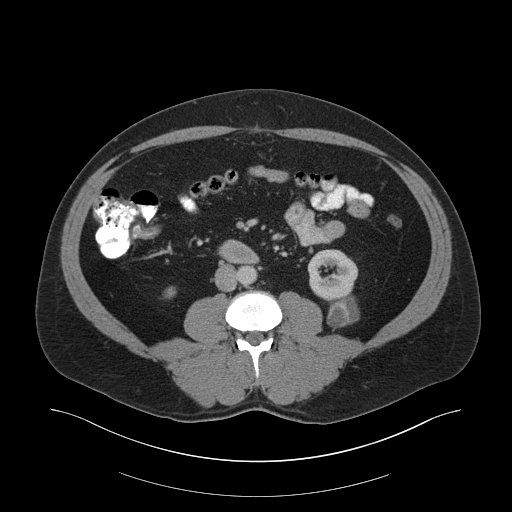
Axial slice 90 of 159 of a contrast-enhanced abdominal CT in the arterial phase (slice 1 is the lowest), 140 kVp, kernel B30f; 3.00 mm slice thickness and 0.977 mm pixels.
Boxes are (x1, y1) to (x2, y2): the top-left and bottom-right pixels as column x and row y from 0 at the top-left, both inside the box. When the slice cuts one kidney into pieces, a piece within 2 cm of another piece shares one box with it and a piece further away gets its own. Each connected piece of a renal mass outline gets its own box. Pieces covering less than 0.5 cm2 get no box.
Boxed on this slice (two kidney boxes and one renal mass box), listed by box centre from the image's left to its right: (1) Right kidney, box (164, 286) to (176, 298) (outlined area 116 px, about 1.1 cm2). (2) Left kidney, box (307, 249) to (358, 305) (outlined area 2,099 px, about 20.0 cm2). (3) Box (327, 297) to (358, 328): left renal mass (outlined area 732 px, about 7.0 cm2).